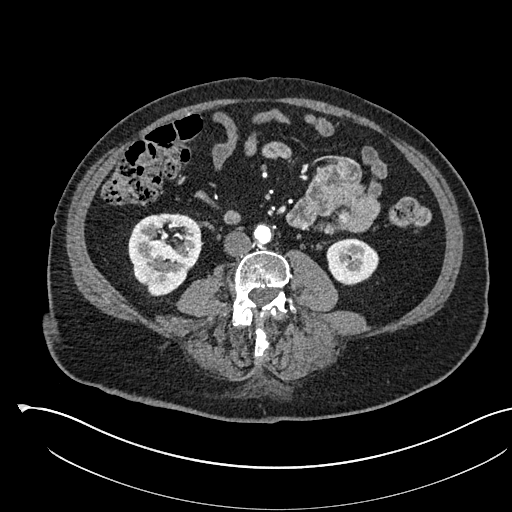
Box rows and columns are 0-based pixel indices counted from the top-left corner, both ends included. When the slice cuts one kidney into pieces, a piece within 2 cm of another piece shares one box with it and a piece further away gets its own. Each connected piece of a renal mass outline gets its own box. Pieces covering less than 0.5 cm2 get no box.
Arterial-phase contrast-enhanced abdominal CT, axial slice 238 of 541 (counted from the lowest slice); 1.00 mm thick, 0.834 mm per pixel. Boxed on this slice (two kidney boxes), listed by box centre from the image's left to its right: (1) Right kidney, box rows 213–296, columns 128–200 (outlined area 4,639 px, about 32.3 cm2). (2) Left kidney at rows 238–285, columns 326–379 (outlined area 1,926 px, about 13.4 cm2). This slice carries no renal mass outline.
Acquired at 120 kVp and reconstructed with the I30f kernel.